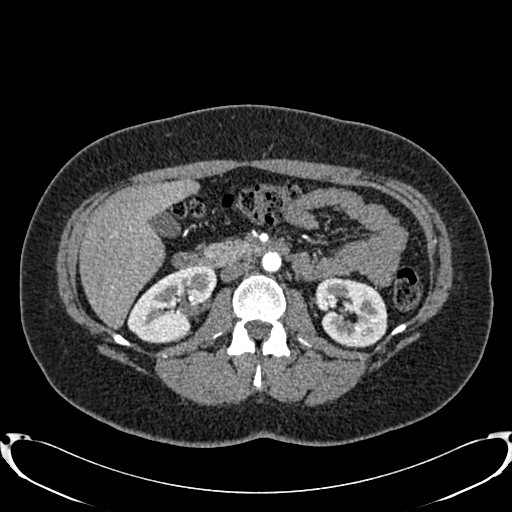
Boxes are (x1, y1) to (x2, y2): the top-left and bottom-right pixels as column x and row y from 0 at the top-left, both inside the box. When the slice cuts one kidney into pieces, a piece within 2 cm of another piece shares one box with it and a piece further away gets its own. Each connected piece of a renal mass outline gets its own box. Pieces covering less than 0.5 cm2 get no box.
Slice 453/719 of a contrast-enhanced abdominal CT in the arterial phase, counting up from the lowest; pixel size 0.766 mm, slice thickness 1.00 mm. Two boxes on this slice (two kidney boxes), listed by box centre from the image's left to its right. (1) Right kidney from (127, 265) to (216, 343) (outlined area 4,609 px, about 27.0 cm2). (2) Box (314, 277) to (387, 348): left kidney (outlined area 3,935 px, about 23.1 cm2). No renal mass outline on this slice.
Scan settings: 120 kVp, B20f reconstruction kernel.